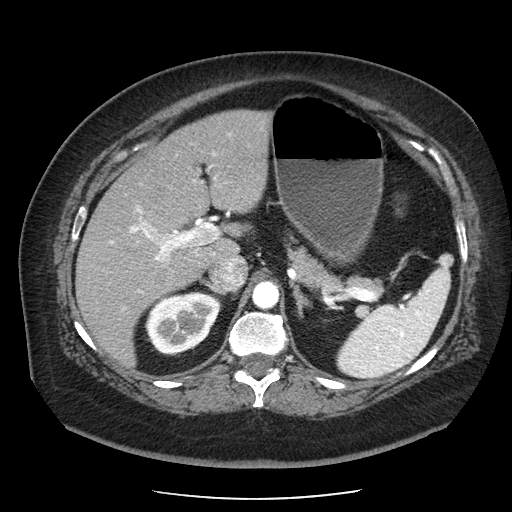
Axial slice 143 of 186 of a contrast-enhanced abdominal CT in the arterial phase (slice 1 is the lowest), 120 kVp, kernel STANDARD; 2.50 mm slice thickness and 0.742 mm pixels.
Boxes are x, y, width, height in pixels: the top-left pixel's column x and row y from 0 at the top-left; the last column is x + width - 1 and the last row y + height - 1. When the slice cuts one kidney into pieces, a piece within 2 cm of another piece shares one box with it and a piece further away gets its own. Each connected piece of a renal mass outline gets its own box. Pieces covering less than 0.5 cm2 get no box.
Right kidney at x 145, y 291, width 77, height 64 (outlined area 3,591 px, about 19.8 cm2). No renal mass is outlined on this slice.